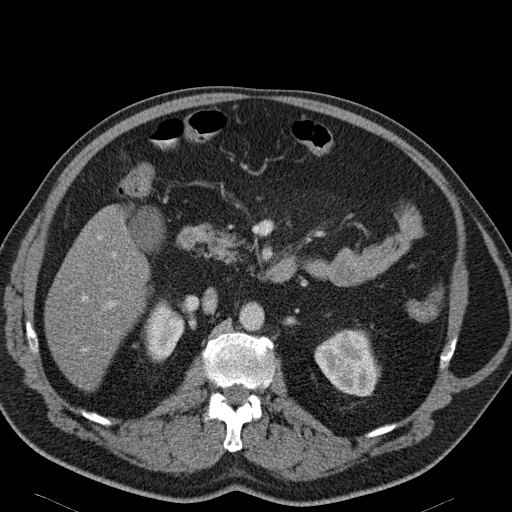
Arterial-phase contrast-enhanced abdominal CT, axial slice 82 of 114 (counted from the lowest slice); tube voltage 120 kVp, convolution kernel B31f; slices 5.00 mm thick, 0.781 mm per pixel.
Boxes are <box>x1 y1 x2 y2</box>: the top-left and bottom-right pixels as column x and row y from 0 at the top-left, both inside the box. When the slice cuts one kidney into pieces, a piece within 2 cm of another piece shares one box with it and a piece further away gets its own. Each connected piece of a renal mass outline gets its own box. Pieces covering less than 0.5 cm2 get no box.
Three boxes on this slice (two kidney boxes and one renal mass box), listed by box centre from the image's left to its right. (1) Right kidney: <box>146 299 184 362</box> (outlined area 1,734 px, about 10.6 cm2). (2) At <box>314 329 376 396</box>: left kidney (outlined area 2,691 px, about 16.4 cm2). (3) At <box>349 357 381 381</box>: left renal mass (outlined area 570 px, about 3.5 cm2).